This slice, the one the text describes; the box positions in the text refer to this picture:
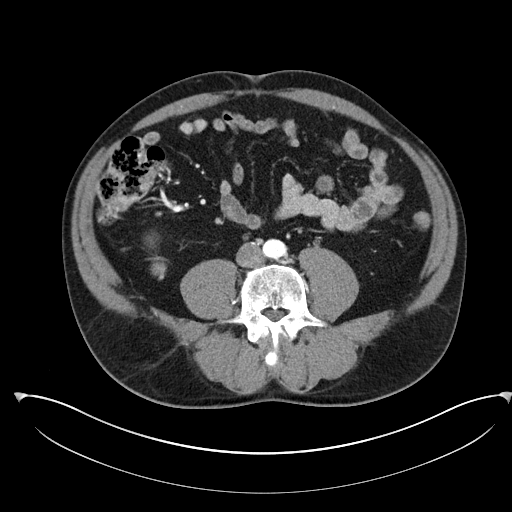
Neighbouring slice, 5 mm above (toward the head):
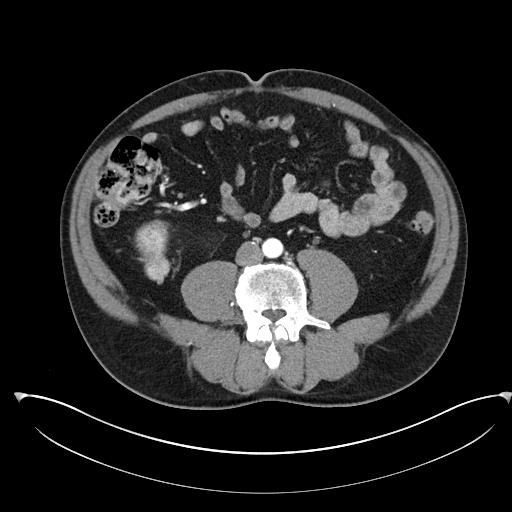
Abdominal CT with intravenous contrast, arterial phase, axial plane, 100 kVp, kernel I30f. Slice 104/302 from the bottom of the scan; thickness 5.00 mm; pixel size 0.875 mm.
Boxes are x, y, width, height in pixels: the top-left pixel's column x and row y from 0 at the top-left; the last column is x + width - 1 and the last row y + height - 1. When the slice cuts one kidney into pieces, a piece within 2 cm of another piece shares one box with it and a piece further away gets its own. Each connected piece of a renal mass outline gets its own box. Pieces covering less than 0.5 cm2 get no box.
Boxed on this slice (two renal mass boxes), listed by box centre from the image's left to its right: (1) Right renal mass, box x 145, y 233, width 13, height 15 (outlined area 112 px, about 0.9 cm2); no kidney outline appears on this slice, but the same outlined renal mass comes within 1 cm of the kidney on another slice. (2) Right renal mass, box x 149, y 255, width 18, height 25 (outlined area 303 px, about 2.3 cm2); no kidney is outlined on this slice, but the same outlined renal mass comes within 1 cm of the kidney on another slice. This slice is near the end of the right renal mass toward the feet, so the slice 5 mm above it is shown as well; the boxes refer to this slice only.